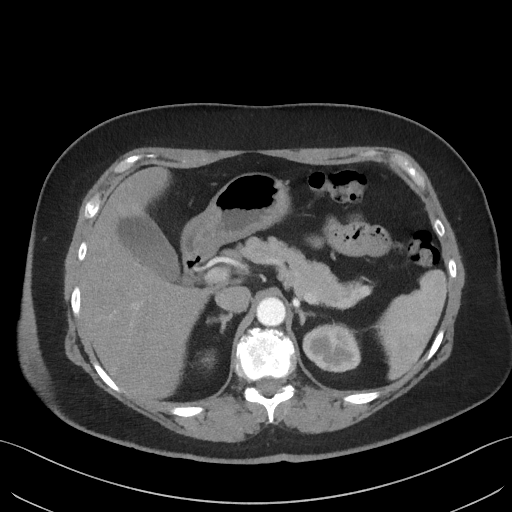
Contrast-enhanced abdominal CT, axial slice 44 of 69 (counted from the lowest slice); tube voltage 140 kVp, convolution kernel I41f; slices 3.00 mm thick, 0.736 mm per pixel.
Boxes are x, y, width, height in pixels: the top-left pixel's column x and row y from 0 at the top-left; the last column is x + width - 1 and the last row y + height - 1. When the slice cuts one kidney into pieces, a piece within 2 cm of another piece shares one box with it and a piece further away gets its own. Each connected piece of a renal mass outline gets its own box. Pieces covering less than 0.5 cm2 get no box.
Two kidney boxes on this slice; by box centre, from the image's left to its right: (1) Right kidney at x 200, y 351, width 15, height 18 (outlined area 157 px, about 0.9 cm2). (2) Box x 303, y 322, width 59, height 50: left kidney (outlined area 2,225 px, about 12.1 cm2). This slice carries no renal mass outline.